One axial slice (301 of 1059, counting up from the lowest) of an arterial-phase abdominal CT acquired with 100 kVp, kernel I30f; each pixel is 0.811 mm and the slice is 1.00 mm thick.
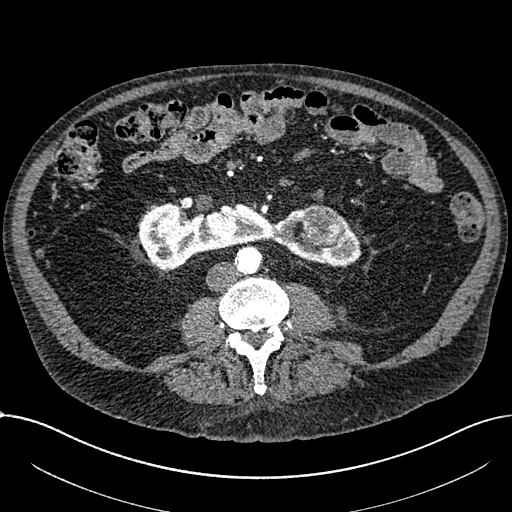
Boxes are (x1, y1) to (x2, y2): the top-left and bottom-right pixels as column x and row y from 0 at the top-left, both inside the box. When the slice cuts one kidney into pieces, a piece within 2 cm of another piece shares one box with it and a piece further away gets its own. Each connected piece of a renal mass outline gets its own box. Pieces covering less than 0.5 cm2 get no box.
One kidney box and one renal mass box on this slice; by box centre, from the image's left to its right: (1) Box (139, 202) to (361, 269): kidney crossing the body midline (outlined area 8,589 px, about 56.4 cm2). (2) Renal mass from (301, 204) to (346, 246) (outlined area 1,446 px, about 9.5 cm2).